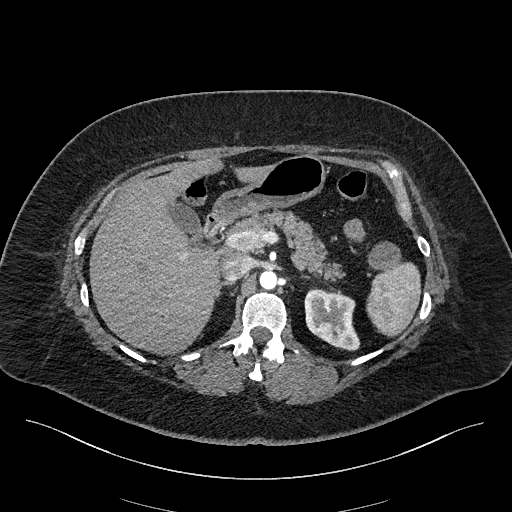
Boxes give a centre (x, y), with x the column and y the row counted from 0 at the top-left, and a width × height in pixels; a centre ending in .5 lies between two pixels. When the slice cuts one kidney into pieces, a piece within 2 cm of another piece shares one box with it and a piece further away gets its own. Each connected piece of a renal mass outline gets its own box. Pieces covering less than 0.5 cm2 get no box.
This is axial slice 145 of 270 (slice 1 is the lowest) of an arterial-phase abdominal CT with contrast; each pixel is 0.855 mm and the slice is 2.00 mm thick. Left kidney in a box with centre (332, 319), 57 × 63 pixels (outlined area 2,560 px, about 18.7 cm2). No renal mass outline on this slice.
Tube voltage 100 kVp; convolution kernel I40f.